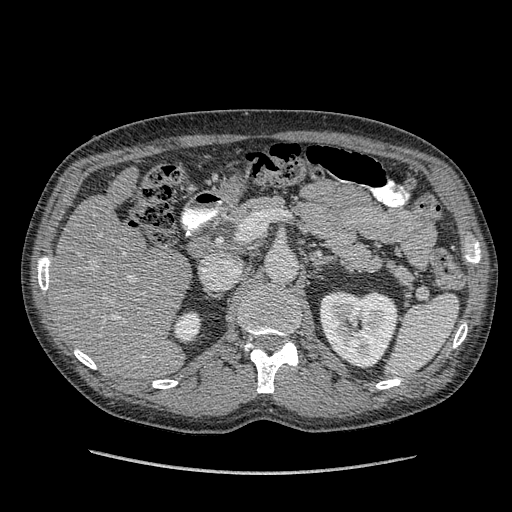
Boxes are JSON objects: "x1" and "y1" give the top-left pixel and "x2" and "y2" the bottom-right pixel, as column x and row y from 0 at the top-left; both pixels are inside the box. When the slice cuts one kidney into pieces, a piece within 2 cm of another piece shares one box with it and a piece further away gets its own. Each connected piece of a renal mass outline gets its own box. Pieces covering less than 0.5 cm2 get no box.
Arterial-phase contrast-enhanced abdominal CT, axial slice 240 of 349 (counted from the lowest slice); 1.25 mm thick, 0.742 mm per pixel. Two kidney boxes on this slice; by box centre, from the image's left to its right: (1) Right kidney, box {"x1": 174, "y1": 312, "x2": 200, "y2": 342} (outlined area 648 px, about 3.6 cm2). (2) Box {"x1": 319, "y1": 290, "x2": 398, "y2": 368}: left kidney (outlined area 4,798 px, about 26.4 cm2). No renal mass is outlined on this slice.
Scan settings: 120 kVp, STANDARD reconstruction kernel.